Arterial-phase contrast-enhanced abdominal CT, axial slice 38 of 68 (counted from the lowest slice); tube voltage 120 kVp, convolution kernel B31f; slices 5.00 mm thick, 0.961 mm per pixel.
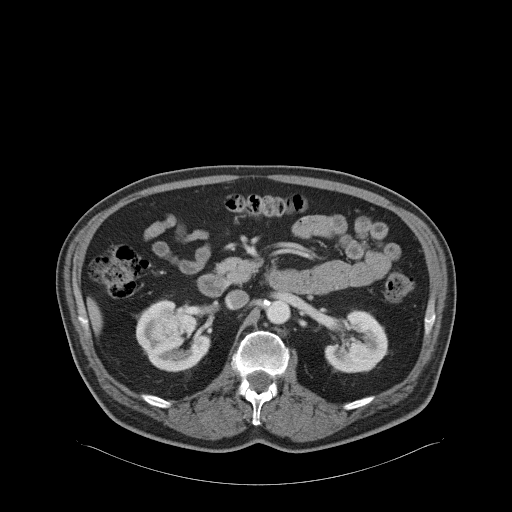
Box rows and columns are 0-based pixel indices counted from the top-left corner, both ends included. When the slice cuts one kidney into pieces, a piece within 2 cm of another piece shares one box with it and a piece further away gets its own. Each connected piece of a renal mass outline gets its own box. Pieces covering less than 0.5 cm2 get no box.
Boxed on this slice (two kidney boxes and one renal mass box), listed by box centre from the image's left to its right: (1) Box rows 299–372, columns 135–210: right kidney (outlined area 2,341 px, about 21.6 cm2). (2) Box rows 305–350, columns 150–200: right renal mass (outlined area 1,635 px, about 15.1 cm2). (3) Box rows 309–373, columns 325–387: left kidney (outlined area 2,959 px, about 27.3 cm2).